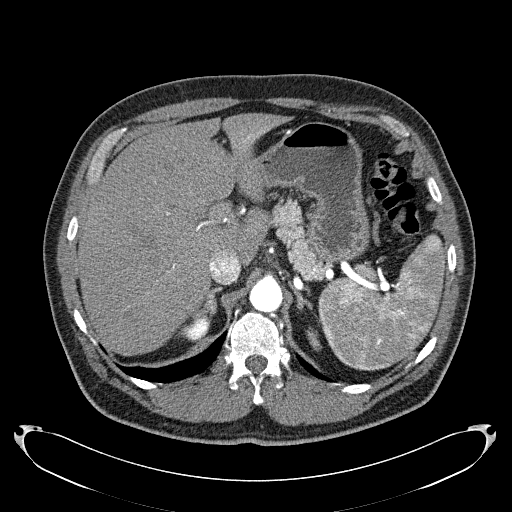
Arterial-phase contrast-enhanced abdominal CT, axial slice 175 of 279 (counted from the lowest slice); tube voltage 120 kVp, convolution kernel B31f; slices 2.00 mm thick, 0.824 mm per pixel.
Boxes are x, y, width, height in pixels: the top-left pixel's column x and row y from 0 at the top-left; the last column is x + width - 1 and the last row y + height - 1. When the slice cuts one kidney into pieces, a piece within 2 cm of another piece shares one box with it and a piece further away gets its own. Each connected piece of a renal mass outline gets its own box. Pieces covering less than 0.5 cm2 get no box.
Two kidney boxes on this slice; by box centre, from the image's left to its right: (1) Right kidney, box x 178, y 317, width 32, height 26 (outlined area 534 px, about 3.6 cm2). (2) Box x 306, y 327, width 16, height 24: left kidney (outlined area 221 px, about 1.5 cm2). No renal mass is outlined on this slice.